Abdominal CT with intravenous contrast, axial plane, 120 kVp, kernel FC13. Slice 106/159 from the bottom of the scan; thickness 3.00 mm; pixel size 0.668 mm.
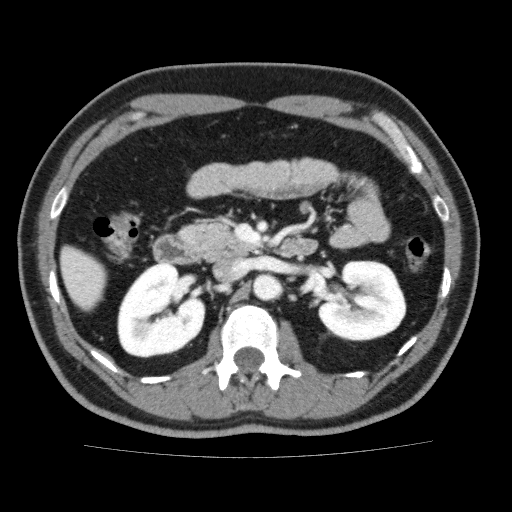
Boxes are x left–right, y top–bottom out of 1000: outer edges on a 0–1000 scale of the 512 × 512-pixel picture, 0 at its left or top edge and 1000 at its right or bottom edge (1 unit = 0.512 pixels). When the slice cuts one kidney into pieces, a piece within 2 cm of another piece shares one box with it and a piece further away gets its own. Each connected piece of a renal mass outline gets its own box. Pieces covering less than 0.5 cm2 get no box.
Two kidney boxes on this slice; by box centre, from the image's left to its right: (1) Box x 229–402, y 512–701 out of 1000: right kidney (outlined area 6,336 px, about 28.3 cm2). (2) Box x 621–795, y 508–668 out of 1000: left kidney (outlined area 5,495 px, about 24.5 cm2). This slice carries no renal mass outline.